Arterial-phase contrast-enhanced abdominal CT, axial slice 434 of 1059 (counted from the lowest slice); tube voltage 100 kVp, convolution kernel I30f; slices 1.00 mm thick, 0.811 mm per pixel.
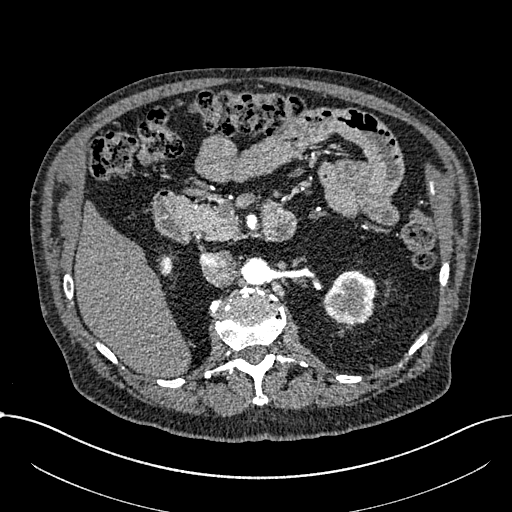
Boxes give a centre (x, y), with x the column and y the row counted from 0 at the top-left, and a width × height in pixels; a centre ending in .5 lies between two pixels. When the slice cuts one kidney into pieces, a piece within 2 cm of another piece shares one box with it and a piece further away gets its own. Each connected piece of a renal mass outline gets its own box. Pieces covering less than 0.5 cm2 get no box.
Two kidney boxes on this slice; by box centre, from the image's left to its right: (1) Right part of the midline-crossing kidney in a box with centre (166.5, 265), 14 × 23 pixels (outlined area 260 px, about 1.7 cm2). (2) Left part of the midline-crossing kidney in a box with centre (349, 297.5), 55 × 56 pixels (outlined area 2,275 px, about 14.9 cm2). No renal mass outline on this slice.